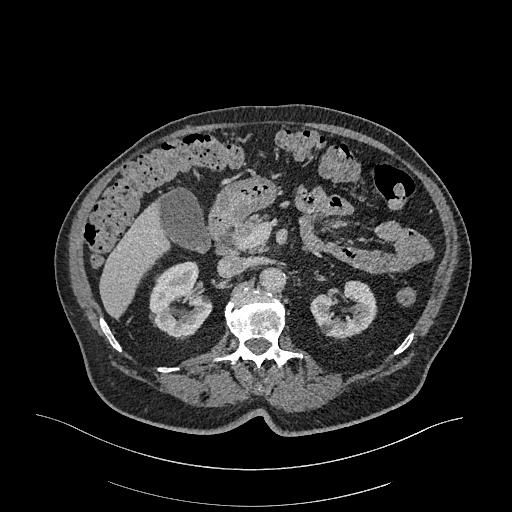
Axial slice 200 of 470 of a contrast-enhanced abdominal CT in the arterial phase (slice 1 is the lowest), 120 kVp, kernel I26f; 1.00 mm slice thickness and 0.938 mm pixels.
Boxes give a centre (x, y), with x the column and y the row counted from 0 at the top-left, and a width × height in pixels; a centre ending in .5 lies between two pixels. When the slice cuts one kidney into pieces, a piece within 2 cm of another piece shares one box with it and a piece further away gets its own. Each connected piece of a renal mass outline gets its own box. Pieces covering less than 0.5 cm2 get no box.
Two boxes on this slice (two kidney boxes), listed by box centre from the image's left to its right. (1) Right kidney in a box with centre (180.5, 299), 64 × 77 pixels (outlined area 3,462 px, about 30.4 cm2). (2) Left kidney, box centre (343, 309.5), 67 × 60 pixels (outlined area 2,622 px, about 23.0 cm2). This slice carries no renal mass outline.